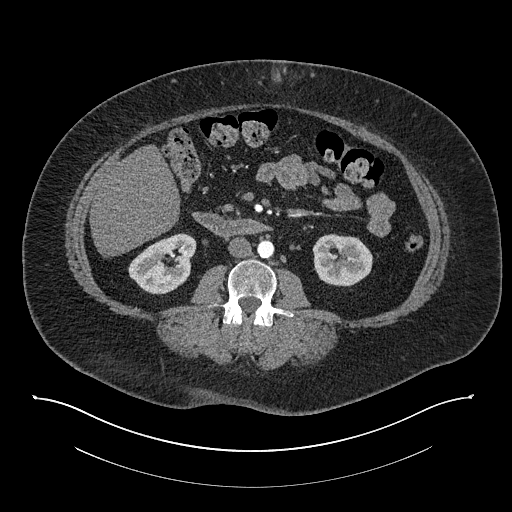
Axial slice 404 of 673 of a contrast-enhanced abdominal CT in the arterial phase (slice 1 is the lowest), 140 kVp, kernel I30f; 1.00 mm slice thickness and 0.957 mm pixels.
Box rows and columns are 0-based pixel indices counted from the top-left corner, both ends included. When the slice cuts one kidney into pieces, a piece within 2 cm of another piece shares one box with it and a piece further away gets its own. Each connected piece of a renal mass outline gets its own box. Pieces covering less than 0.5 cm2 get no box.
Boxed on this slice (two kidney boxes), listed by box centre from the image's left to its right: (1) Right kidney, box rows 233–294, columns 128–196 (outlined area 2,905 px, about 26.6 cm2). (2) Left kidney at rows 234–286, columns 312–372 (outlined area 2,545 px, about 23.3 cm2). No renal mass is outlined on this slice.